Axial slice 621 of 834 of a contrast-enhanced abdominal CT (slice 1 is the lowest), 140 kVp, kernel I30f; 1.00 mm slice thickness and 0.977 mm pixels.
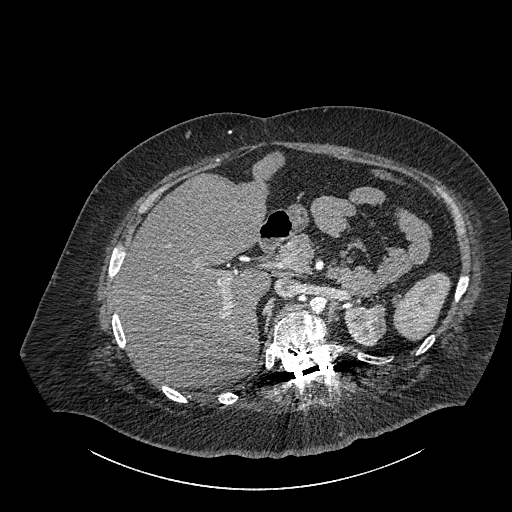
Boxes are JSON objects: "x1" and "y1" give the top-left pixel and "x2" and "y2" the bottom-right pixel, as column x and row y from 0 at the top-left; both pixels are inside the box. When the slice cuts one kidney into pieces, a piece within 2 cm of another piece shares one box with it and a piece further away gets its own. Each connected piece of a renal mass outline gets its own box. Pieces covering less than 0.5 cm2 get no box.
Box {"x1": 344, "y1": 304, "x2": 386, "y2": 346}: left part of the midline-crossing kidney (outlined area 1,424 px, about 13.6 cm2). No renal mass outline on this slice.